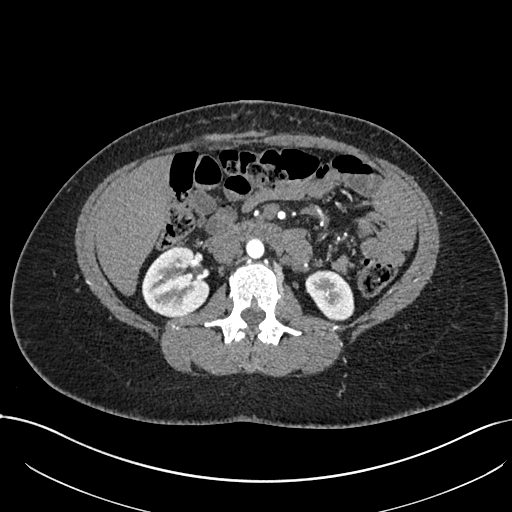
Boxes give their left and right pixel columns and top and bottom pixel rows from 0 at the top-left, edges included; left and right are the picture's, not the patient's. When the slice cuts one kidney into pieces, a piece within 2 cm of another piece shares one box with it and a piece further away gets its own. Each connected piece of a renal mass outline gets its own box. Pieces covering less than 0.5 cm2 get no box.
This is axial slice 405 of 738 (slice 1 is the lowest) of an arterial-phase abdominal CT with contrast; each pixel is 0.789 mm and the slice is 1.00 mm thick. Boxed on this slice (two kidney boxes), listed by box centre from the image's left to its right: (1) Box with left 142, top 245, right 208, bottom 317: right kidney (outlined area 3,641 px, about 22.7 cm2). (2) Left kidney in the box with left 305, top 270, right 354, bottom 321 (outlined area 1,859 px, about 11.6 cm2). This slice carries no renal mass outline.
Acquired at 120 kVp and reconstructed with the I30f kernel.